Arterial-phase contrast-enhanced abdominal CT, axial slice 68 of 85 (counted from the lowest slice); tube voltage 120 kVp, convolution kernel FC19; slices 5.00 mm thick, 0.741 mm per pixel.
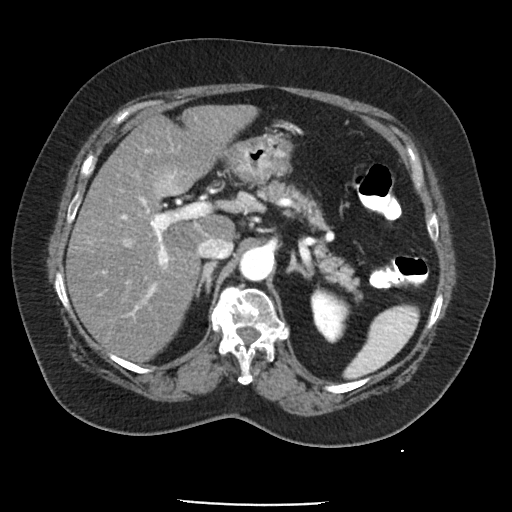
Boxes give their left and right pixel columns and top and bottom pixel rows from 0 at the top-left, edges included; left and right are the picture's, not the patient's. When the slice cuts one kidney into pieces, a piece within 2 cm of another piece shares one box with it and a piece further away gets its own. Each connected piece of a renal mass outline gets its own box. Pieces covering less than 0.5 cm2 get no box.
Left kidney, the box with left 310, top 287, right 350, bottom 343 (outlined area 1,582 px, about 8.7 cm2). This slice carries no renal mass outline.